Abdominal CT with intravenous contrast, arterial phase, axial plane, 120 kVp, kernel B30f. Slice 383/512 from the bottom of the scan; thickness 1.00 mm; pixel size 0.771 mm.
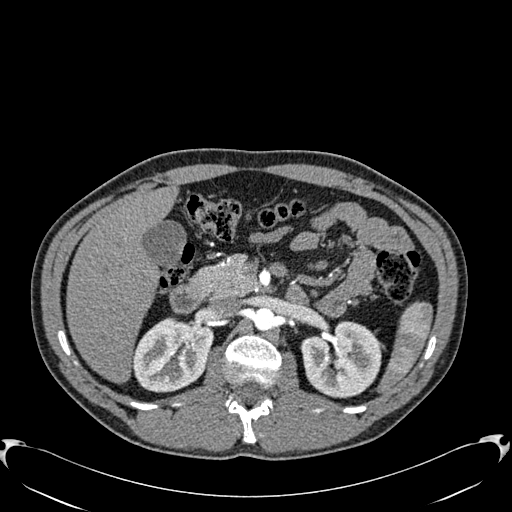
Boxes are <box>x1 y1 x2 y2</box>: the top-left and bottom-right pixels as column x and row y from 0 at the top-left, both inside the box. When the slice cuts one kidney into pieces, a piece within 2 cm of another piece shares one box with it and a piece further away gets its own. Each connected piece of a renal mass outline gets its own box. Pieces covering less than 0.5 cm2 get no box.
Boxed on this slice (two kidney boxes), listed by box centre from the image's left to its right: (1) Right kidney at <box>132 316 213 392</box> (outlined area 4,642 px, about 27.6 cm2). (2) At <box>301 320 384 398</box>: left kidney (outlined area 4,807 px, about 28.6 cm2). This slice carries no renal mass outline.